Abdominal CT with intravenous contrast, arterial phase, axial plane, 120 kVp, kernel I30f. Slice 456/612 from the bottom of the scan; thickness 1.00 mm; pixel size 0.703 mm.
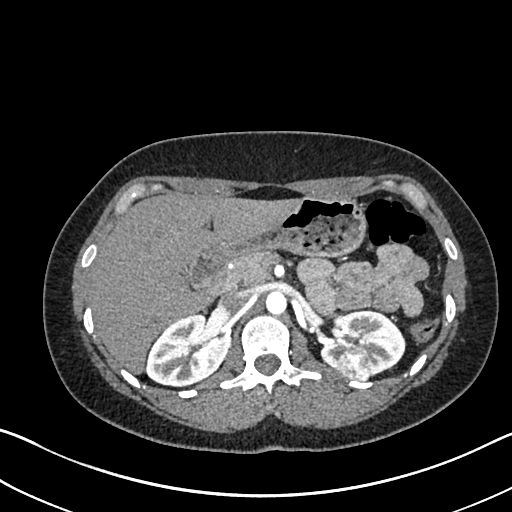
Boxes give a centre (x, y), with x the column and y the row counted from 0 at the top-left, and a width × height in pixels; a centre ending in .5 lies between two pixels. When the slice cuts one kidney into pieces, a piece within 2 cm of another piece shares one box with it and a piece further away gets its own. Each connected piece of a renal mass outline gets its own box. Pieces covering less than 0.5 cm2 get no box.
Three boxes on this slice (two kidney boxes and one renal mass box), listed by box centre from the image's left to its right. (1) Right kidney, box centre (187, 350), 85 × 73 pixels (outlined area 4,397 px, about 21.7 cm2). (2) Left renal mass in a box with centre (354, 363.5), 35 × 32 pixels (outlined area 884 px, about 4.4 cm2). (3) Left kidney in a box with centre (362, 342.5), 87 × 68 pixels (outlined area 3,425 px, about 16.9 cm2).